One axial slice (11 of 61, counting up from the lowest) of a contrast-enhanced abdominal CT acquired with 140 kVp, kernel B41f; each pixel is 0.939 mm and the slice is 3.00 mm thick.
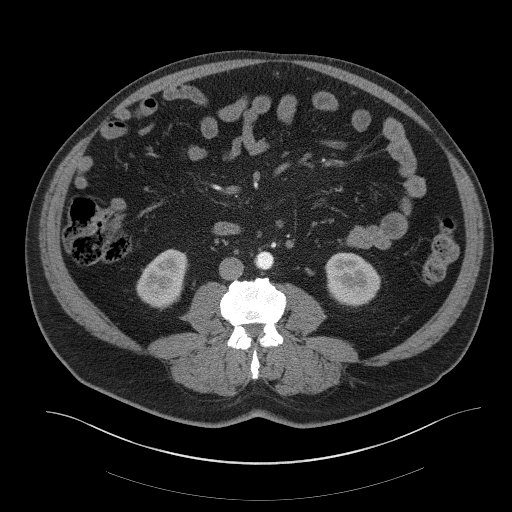
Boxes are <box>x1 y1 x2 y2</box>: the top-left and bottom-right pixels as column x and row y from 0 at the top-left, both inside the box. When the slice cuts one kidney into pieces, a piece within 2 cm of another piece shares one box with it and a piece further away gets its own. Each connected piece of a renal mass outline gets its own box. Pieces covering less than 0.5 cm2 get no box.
Two boxes on this slice (two kidney boxes), listed by box centre from the image's left to its right. (1) Right kidney: <box>136 249 188 309</box> (outlined area 2,240 px, about 19.8 cm2). (2) At <box>324 252 380 304</box>: left kidney (outlined area 2,335 px, about 20.6 cm2). No renal mass is outlined on this slice.